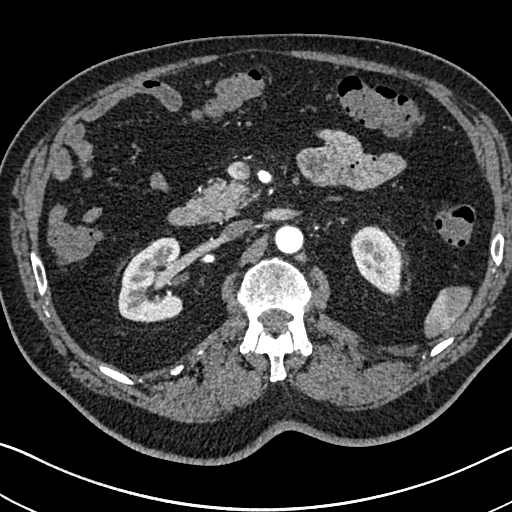
One axial slice (449 of 705, counting up from the lowest) of an arterial-phase abdominal CT acquired with 120 kVp, kernel I30f; each pixel is 0.703 mm and the slice is 1.00 mm thick.
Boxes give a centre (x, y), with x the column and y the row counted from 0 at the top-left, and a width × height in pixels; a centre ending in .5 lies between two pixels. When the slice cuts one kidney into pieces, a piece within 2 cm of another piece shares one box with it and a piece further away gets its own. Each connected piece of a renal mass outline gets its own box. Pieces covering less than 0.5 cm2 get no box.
Two boxes on this slice (two kidney boxes), listed by box centre from the image's left to its right. (1) Right kidney in a box with centre (150, 279.5), 65 × 86 pixels (outlined area 4,261 px, about 21.1 cm2). (2) Left kidney in a box with centre (375, 259.5), 51 × 70 pixels (outlined area 2,513 px, about 12.4 cm2). No renal mass is outlined on this slice.